Arterial-phase contrast-enhanced abdominal CT, axial slice 175 of 349 (counted from the lowest slice); tube voltage 120 kVp, convolution kernel STANDARD; slices 1.25 mm thick, 0.742 mm per pixel.
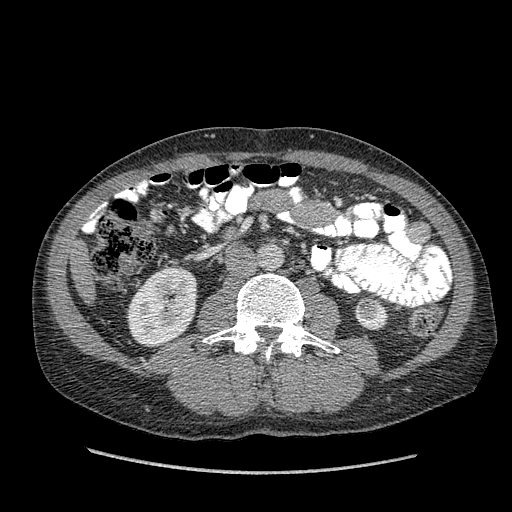
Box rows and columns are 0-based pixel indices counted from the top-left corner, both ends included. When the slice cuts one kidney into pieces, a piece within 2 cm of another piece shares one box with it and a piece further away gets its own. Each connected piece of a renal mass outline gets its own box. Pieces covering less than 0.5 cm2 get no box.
Three boxes on this slice (two kidney boxes and one renal mass box), listed by box centre from the image's left to its right. (1) Right kidney, box rows 266–347, columns 127–197 (outlined area 4,380 px, about 24.1 cm2). (2) Box rows 297–319, columns 354–379: left renal mass (outlined area 475 px, about 2.6 cm2). (3) Left kidney, box rows 298–329, columns 354–388 (outlined area 423 px, about 2.3 cm2).